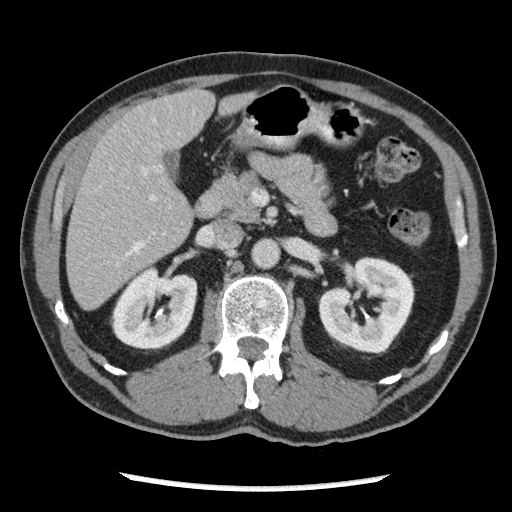
One axial slice (129 of 262, counting up from the lowest) of an arterial-phase abdominal CT acquired with 120 kVp, kernel STANDARD; each pixel is 0.703 mm and the slice is 2.50 mm thick.
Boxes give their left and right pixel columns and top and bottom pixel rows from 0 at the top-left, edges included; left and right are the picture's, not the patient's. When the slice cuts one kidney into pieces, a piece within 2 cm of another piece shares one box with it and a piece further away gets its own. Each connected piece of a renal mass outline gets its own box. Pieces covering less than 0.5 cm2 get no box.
Two kidney boxes on this slice; by box centre, from the image's left to its right: (1) Box with left 109, top 268, right 197, bottom 350: right kidney (outlined area 5,401 px, about 26.7 cm2). (2) Left kidney, the box with left 318, top 256, right 414, bottom 353 (outlined area 6,503 px, about 32.1 cm2). No renal mass is outlined on this slice.